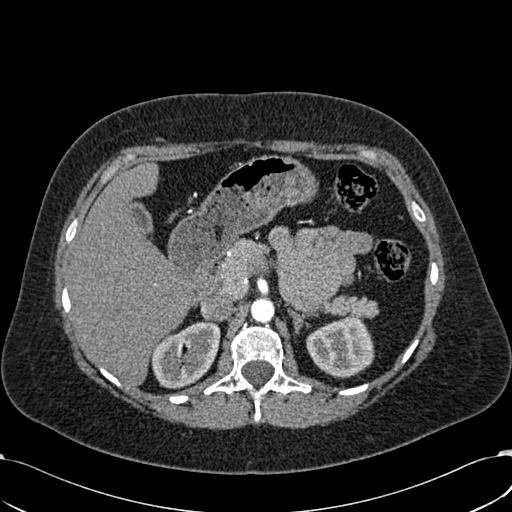
One axial slice (422 of 532, counting up from the lowest) of an arterial-phase abdominal CT acquired with 120 kVp, kernel B30f; each pixel is 0.713 mm and the slice is 1.00 mm thick.
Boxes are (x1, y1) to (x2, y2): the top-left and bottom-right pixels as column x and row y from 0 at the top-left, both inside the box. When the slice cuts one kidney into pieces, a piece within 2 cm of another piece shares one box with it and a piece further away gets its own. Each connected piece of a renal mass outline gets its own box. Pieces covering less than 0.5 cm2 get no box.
Boxed on this slice (two kidney boxes), listed by box centre from the image's left to its right: (1) Box (150, 320) to (220, 388): right kidney (outlined area 3,401 px, about 17.3 cm2). (2) Left kidney, box (306, 316) to (374, 378) (outlined area 3,160 px, about 16.1 cm2). This slice carries no renal mass outline.